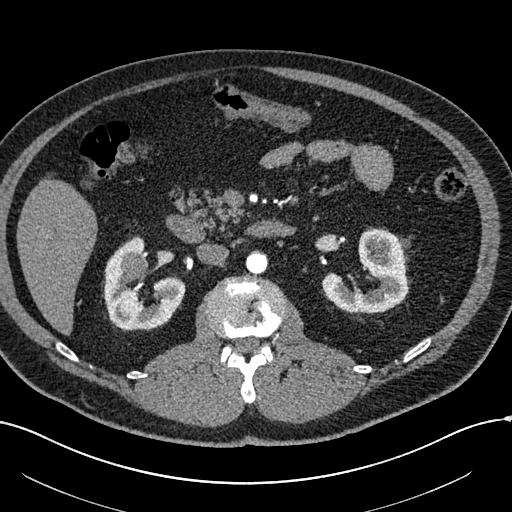
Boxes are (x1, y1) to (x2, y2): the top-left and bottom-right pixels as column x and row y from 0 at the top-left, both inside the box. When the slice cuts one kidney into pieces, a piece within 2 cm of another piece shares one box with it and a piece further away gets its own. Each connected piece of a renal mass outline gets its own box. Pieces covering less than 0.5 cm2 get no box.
Slice 340/602 of a contrast-enhanced abdominal CT in the arterial phase, counting up from the lowest; pixel size 0.799 mm, slice thickness 1.00 mm. Boxed on this slice (two kidney boxes and one renal mass box), listed by box centre from the image's left to its right: (1) Box (119, 252) to (147, 281): right renal mass (outlined area 644 px, about 4.1 cm2). (2) Right kidney, box (103, 237) to (185, 330) (outlined area 4,295 px, about 27.4 cm2). (3) Left kidney, box (322, 228) to (408, 313) (outlined area 4,497 px, about 28.7 cm2).
Acquired at 120 kVp and reconstructed with the I30f kernel.